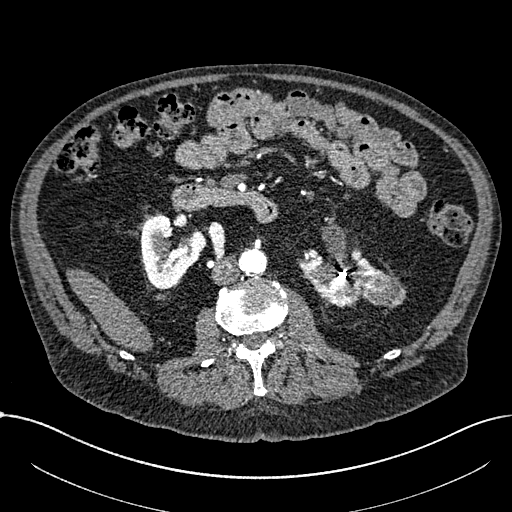
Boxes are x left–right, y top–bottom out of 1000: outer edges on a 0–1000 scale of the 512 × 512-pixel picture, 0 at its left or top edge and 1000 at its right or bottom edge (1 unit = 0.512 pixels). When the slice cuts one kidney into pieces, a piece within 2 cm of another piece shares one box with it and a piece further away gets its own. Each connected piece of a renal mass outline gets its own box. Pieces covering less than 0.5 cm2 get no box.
Slice 368/1059 of a contrast-enhanced abdominal CT in the arterial phase, counting up from the lowest; pixel size 0.811 mm, slice thickness 1.00 mm. Two kidney boxes and one renal mass box on this slice; by box centre, from the image's left to its right: (1) Right part of the midline-crossing kidney, box x 275–404, y 416–566 out of 1000 (outlined area 3,264 px, about 21.4 cm2). (2) Left part of the midline-crossing kidney at x 580–750, y 484–600 out of 1000 (outlined area 2,839 px, about 18.7 cm2). (3) Renal mass, box x 699–795, y 533–602 out of 1000 (outlined area 1,286 px, about 8.4 cm2).
Scan settings: 100 kVp, I30f reconstruction kernel.